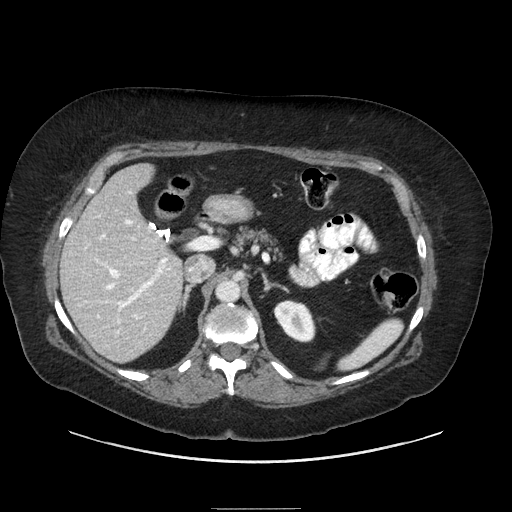
Abdominal CT with intravenous contrast, axial plane, 120 kVp, kernel STANDARD. Slice 144/186 from the bottom of the scan; thickness 2.50 mm; pixel size 0.850 mm.
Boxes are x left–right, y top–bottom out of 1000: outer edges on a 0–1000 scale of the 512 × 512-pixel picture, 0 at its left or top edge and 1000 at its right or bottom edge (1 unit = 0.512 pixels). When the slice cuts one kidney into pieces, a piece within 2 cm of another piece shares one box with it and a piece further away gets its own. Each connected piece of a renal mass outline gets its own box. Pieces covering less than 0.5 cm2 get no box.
Box x 533–617, y 584–670 out of 1000: left kidney (outlined area 1,343 px, about 9.7 cm2). This slice carries no renal mass outline.